Axial slice 143 of 345 of a contrast-enhanced abdominal CT in the arterial phase (slice 1 is the lowest), 120 kVp, kernel I31f; 2.00 mm slice thickness and 0.977 mm pixels.
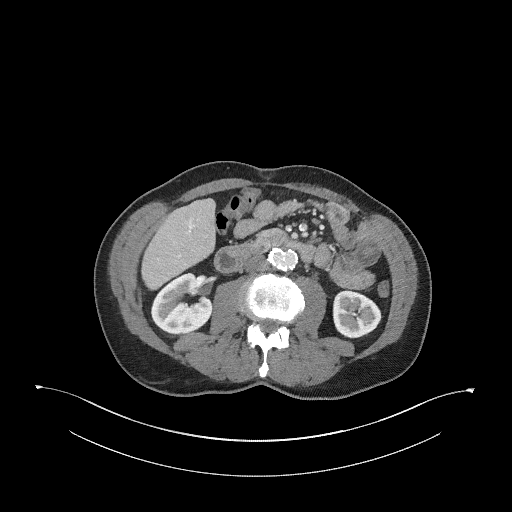
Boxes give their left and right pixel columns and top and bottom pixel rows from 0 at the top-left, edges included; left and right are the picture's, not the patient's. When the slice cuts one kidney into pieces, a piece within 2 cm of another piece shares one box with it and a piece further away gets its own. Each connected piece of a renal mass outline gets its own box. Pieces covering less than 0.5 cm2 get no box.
Two kidney boxes on this slice; by box centre, from the image's left to its right: (1) Right kidney, the box with left 150, top 272, right 212, bottom 335 (outlined area 2,788 px, about 26.6 cm2). (2) Left kidney, the box with left 332, top 290, right 381, bottom 338 (outlined area 1,882 px, about 17.9 cm2). No renal mass outline on this slice.